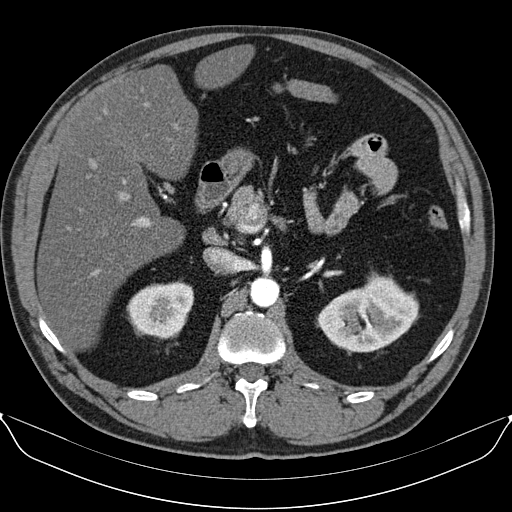
One axial slice (65 of 96, counting up from the lowest) of an arterial-phase abdominal CT acquired with 130 kVp, kernel B30s; each pixel is 0.781 mm and the slice is 3.00 mm thick.
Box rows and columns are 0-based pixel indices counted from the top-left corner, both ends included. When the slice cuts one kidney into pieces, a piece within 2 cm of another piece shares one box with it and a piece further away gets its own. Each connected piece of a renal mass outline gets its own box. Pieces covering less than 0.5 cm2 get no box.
Boxed on this slice (two kidney boxes), listed by box centre from the image's left to its right: (1) Box rows 281–337, columns 127–193: right kidney (outlined area 2,813 px, about 17.2 cm2). (2) Left kidney, box rows 275–352, columns 317–418 (outlined area 5,330 px, about 32.5 cm2). No renal mass outline on this slice.